Axial slice 536 of 834 of a contrast-enhanced abdominal CT (slice 1 is the lowest), 140 kVp, kernel I30f; 1.00 mm slice thickness and 0.977 mm pixels.
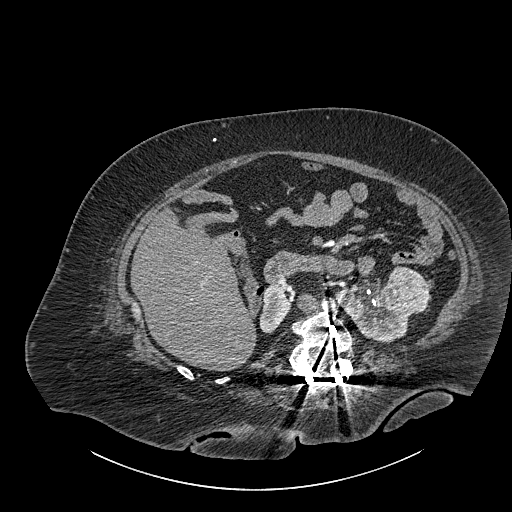
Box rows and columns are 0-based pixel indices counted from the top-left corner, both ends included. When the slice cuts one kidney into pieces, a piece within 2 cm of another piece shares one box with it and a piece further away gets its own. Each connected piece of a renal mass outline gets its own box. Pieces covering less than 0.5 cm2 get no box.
Two kidney boxes and one renal mass box on this slice; by box centre, from the image's left to its right: (1) Right part of the midline-crossing kidney at rows 285–333, columns 259–291 (outlined area 1,076 px, about 10.3 cm2). (2) Left part of the midline-crossing kidney, box rows 281–342, columns 335–410 (outlined area 2,727 px, about 26.0 cm2). (3) Box rows 265–314, columns 388–429: renal mass (outlined area 1,560 px, about 14.9 cm2).